Arterial-phase contrast-enhanced abdominal CT, axial slice 479 of 735 (counted from the lowest slice); tube voltage 120 kVp, convolution kernel I30f; slices 1.00 mm thick, 0.789 mm per pixel.
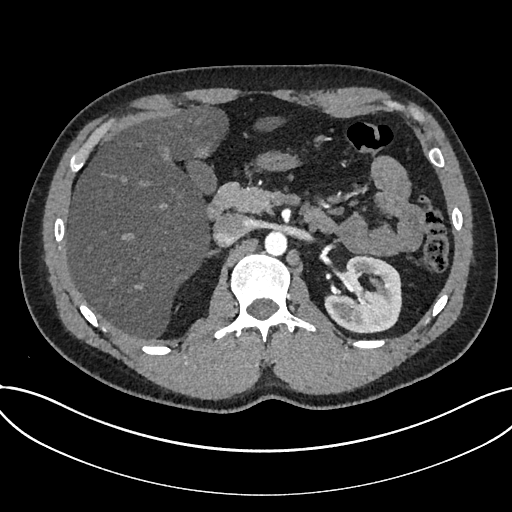
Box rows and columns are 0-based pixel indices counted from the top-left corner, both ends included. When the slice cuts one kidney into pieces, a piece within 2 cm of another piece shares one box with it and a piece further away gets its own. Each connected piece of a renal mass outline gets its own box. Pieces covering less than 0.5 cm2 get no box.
Kidney, box rows 255–332, columns 324–402 (outlined area 4,534 px, about 28.2 cm2). No renal mass is outlined on this slice.